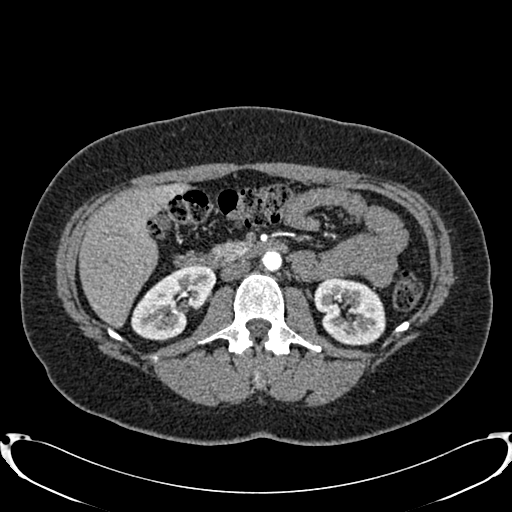
Axial slice 443 of 719 of a contrast-enhanced abdominal CT in the arterial phase (slice 1 is the lowest), 120 kVp, kernel B20f; 1.00 mm slice thickness and 0.766 mm pixels.
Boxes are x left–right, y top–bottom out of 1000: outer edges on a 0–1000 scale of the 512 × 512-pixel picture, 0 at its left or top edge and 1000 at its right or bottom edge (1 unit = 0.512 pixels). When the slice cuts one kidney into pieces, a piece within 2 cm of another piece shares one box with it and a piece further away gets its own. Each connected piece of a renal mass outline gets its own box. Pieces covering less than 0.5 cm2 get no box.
Two boxes on this slice (two kidney boxes), listed by box centre from the image's left to its right. (1) Right kidney at x 256–424, y 518–668 out of 1000 (outlined area 4,041 px, about 23.7 cm2). (2) Left kidney at x 613–754, y 541–676 out of 1000 (outlined area 3,734 px, about 21.9 cm2). No renal mass outline on this slice.